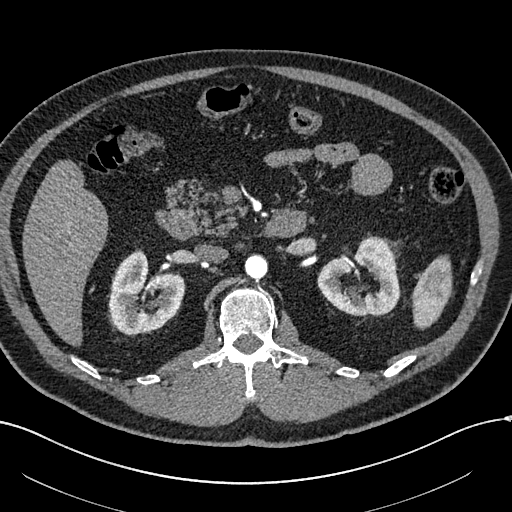
One axial slice (366 of 602, counting up from the lowest) of an arterial-phase abdominal CT acquired with 120 kVp, kernel I30f; each pixel is 0.799 mm and the slice is 1.00 mm thick.
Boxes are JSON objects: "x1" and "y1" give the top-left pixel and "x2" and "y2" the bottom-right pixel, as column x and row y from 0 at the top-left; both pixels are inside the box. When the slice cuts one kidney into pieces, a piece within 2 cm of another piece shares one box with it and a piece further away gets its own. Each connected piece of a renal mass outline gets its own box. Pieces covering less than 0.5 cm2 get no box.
Two kidney boxes on this slice; by box centre, from the image's left to its right: (1) Right kidney, box {"x1": 108, "y1": 249, "x2": 184, "y2": 334} (outlined area 4,560 px, about 29.1 cm2). (2) Left kidney at {"x1": 317, "y1": 236, "x2": 400, "y2": 315} (outlined area 4,447 px, about 28.4 cm2). This slice carries no renal mass outline.